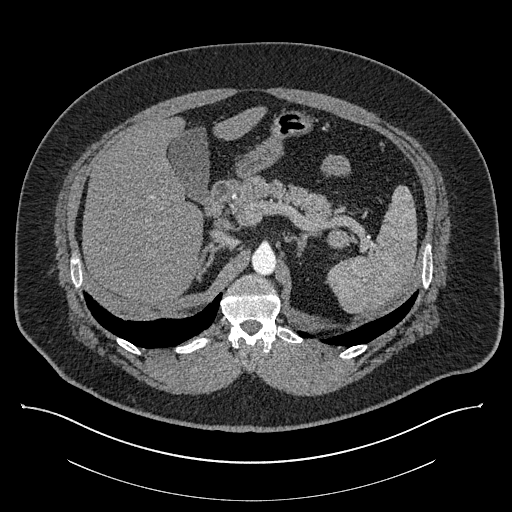
Contrast-enhanced abdominal CT, axial slice 583 of 787 (counted from the lowest slice); tube voltage 140 kVp, convolution kernel I30f; slices 1.00 mm thick, 0.910 mm per pixel.
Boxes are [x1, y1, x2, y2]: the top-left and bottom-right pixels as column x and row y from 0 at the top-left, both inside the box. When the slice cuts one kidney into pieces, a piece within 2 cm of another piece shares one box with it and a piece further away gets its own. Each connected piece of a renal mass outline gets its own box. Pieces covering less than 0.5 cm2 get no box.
Left renal mass at [326, 228, 351, 249] (outlined area 391 px, about 3.2 cm2); this slice has no kidney outline, though on another slice the same outlined renal mass lies within 1 cm of the kidney.